Axial slice 21 of 98 of a contrast-enhanced abdominal CT (slice 1 is the lowest), 130 kVp, kernel B30s; 5.00 mm slice thickness and 0.840 mm pixels.
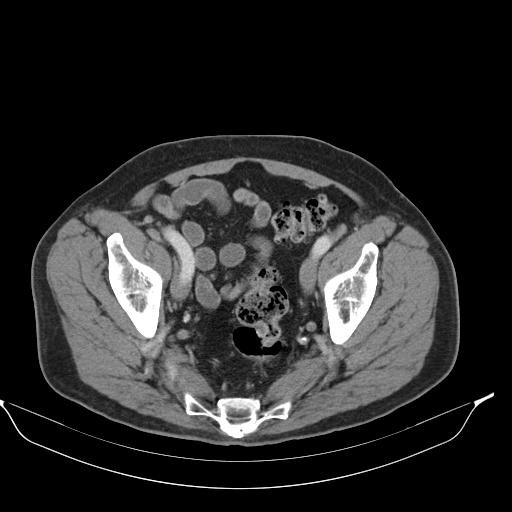
Outside the outlined region: no kidney outline and no renal mass outline on this slice. The scan's outlines cover only kidneys and renal masses; no other organ is outlined.